Axial slice 311 of 553 of a contrast-enhanced abdominal CT in the arterial phase (slice 1 is the lowest), 120 kVp, kernel B20f; 1.00 mm slice thickness and 0.773 mm pixels.
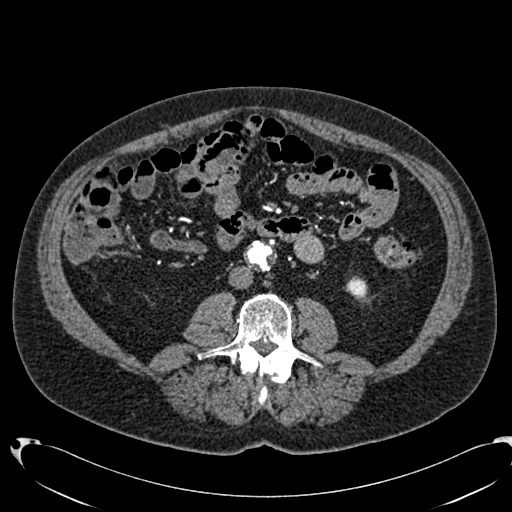
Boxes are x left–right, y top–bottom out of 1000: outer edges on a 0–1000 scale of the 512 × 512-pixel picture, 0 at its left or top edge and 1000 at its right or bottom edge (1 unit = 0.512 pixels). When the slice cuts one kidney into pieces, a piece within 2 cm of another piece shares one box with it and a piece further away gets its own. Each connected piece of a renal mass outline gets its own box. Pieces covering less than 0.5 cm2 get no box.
Left kidney, box x 676–719, y 543–584 out of 1000 (outlined area 333 px, about 2.0 cm2). This slice carries no renal mass outline.